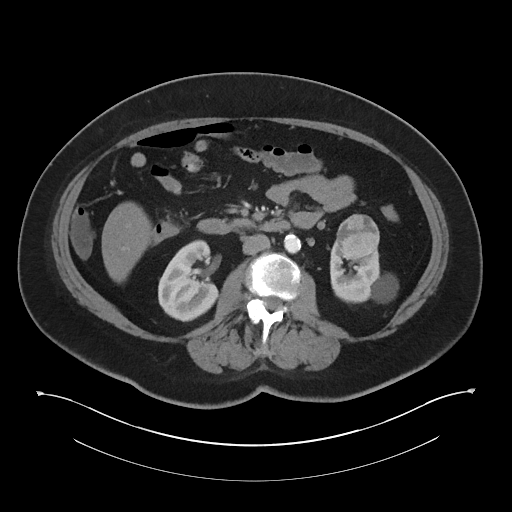
One axial slice (20 of 60, counting up from the lowest) of a contrast-enhanced abdominal CT acquired with 120 kVp, kernel I30f; each pixel is 0.971 mm and the slice is 5.00 mm thick.
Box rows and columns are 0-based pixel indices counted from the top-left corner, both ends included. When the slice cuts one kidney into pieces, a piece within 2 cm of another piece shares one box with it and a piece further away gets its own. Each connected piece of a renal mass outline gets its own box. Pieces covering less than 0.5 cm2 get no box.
Three boxes on this slice (two kidney boxes and one renal mass box), listed by box centre from the image's left to its right. (1) Right kidney at rows 239–321, columns 158–219 (outlined area 3,601 px, about 33.9 cm2). (2) Left renal mass at rows 214–256, columns 336–379 (outlined area 1,476 px, about 13.9 cm2). (3) Box rows 240–303, columns 330–398: left kidney (outlined area 2,746 px, about 25.9 cm2).